Axial slice 276 of 512 of a contrast-enhanced abdominal CT in the arterial phase (slice 1 is the lowest), 120 kVp, kernel B30f; 1.00 mm slice thickness and 0.771 mm pixels.
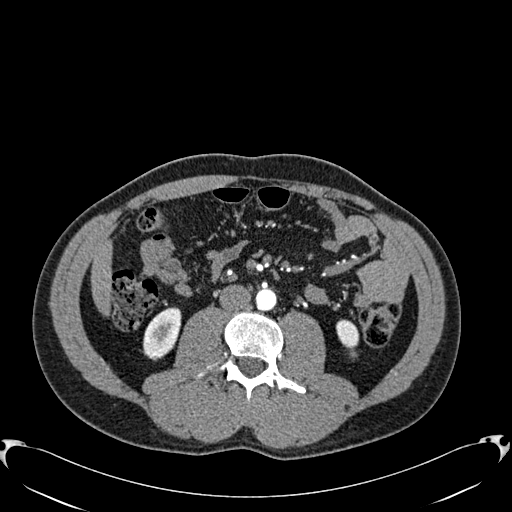
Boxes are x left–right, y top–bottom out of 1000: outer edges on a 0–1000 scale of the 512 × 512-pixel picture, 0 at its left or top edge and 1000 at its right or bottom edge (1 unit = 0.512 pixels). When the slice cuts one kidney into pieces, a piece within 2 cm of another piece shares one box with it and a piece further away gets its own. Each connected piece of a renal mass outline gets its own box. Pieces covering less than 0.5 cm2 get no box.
Two kidney boxes on this slice; by box centre, from the image's left to its right: (1) Right kidney at x 279–355, y 600–705 out of 1000 (outlined area 1,480 px, about 8.8 cm2). (2) Left kidney, box x 656–703, y 623–701 out of 1000 (outlined area 608 px, about 3.6 cm2). This slice carries no renal mass outline.